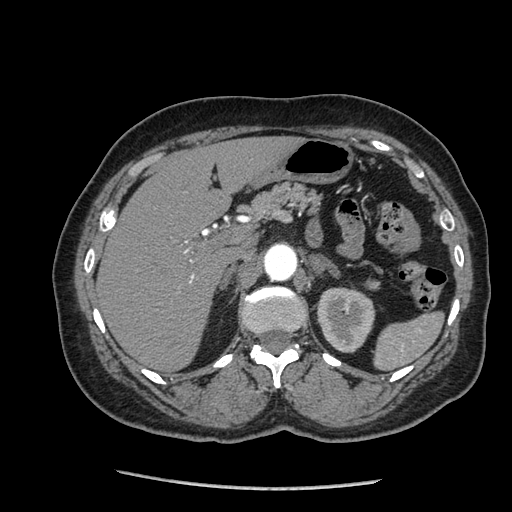
One axial slice (154 of 233, counting up from the lowest) of an arterial-phase abdominal CT acquired with 120 kVp, kernel STANDARD; each pixel is 0.703 mm and the slice is 1.25 mm thick.
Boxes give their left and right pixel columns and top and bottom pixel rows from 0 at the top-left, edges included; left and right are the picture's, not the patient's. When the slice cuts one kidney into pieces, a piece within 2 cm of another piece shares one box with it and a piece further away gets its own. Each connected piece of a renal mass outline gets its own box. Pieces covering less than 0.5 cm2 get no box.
Left kidney, the box with left 316, top 287, right 375, bottom 352 (outlined area 3,010 px, about 14.9 cm2). No renal mass outline on this slice.